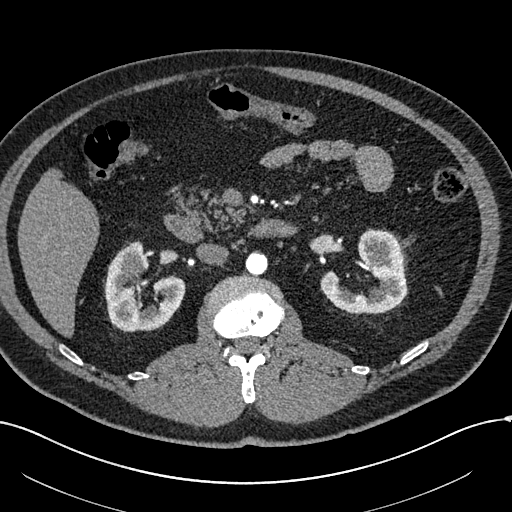
Axial slice 345 of 602 of a contrast-enhanced abdominal CT in the arterial phase (slice 1 is the lowest), 120 kVp, kernel I30f; 1.00 mm slice thickness and 0.799 mm pixels.
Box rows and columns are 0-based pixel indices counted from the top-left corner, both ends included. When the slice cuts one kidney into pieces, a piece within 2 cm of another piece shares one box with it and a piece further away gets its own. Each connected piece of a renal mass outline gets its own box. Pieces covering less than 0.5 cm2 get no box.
Three boxes on this slice (two kidney boxes and one renal mass box), listed by box centre from the image's left to its right. (1) Right renal mass at rows 251–278, columns 120–144 (outlined area 520 px, about 3.3 cm2). (2) Right kidney at rows 241–332, columns 104–185 (outlined area 4,231 px, about 27.0 cm2). (3) Box rows 229–314, columns 320–407: left kidney (outlined area 4,276 px, about 27.3 cm2).